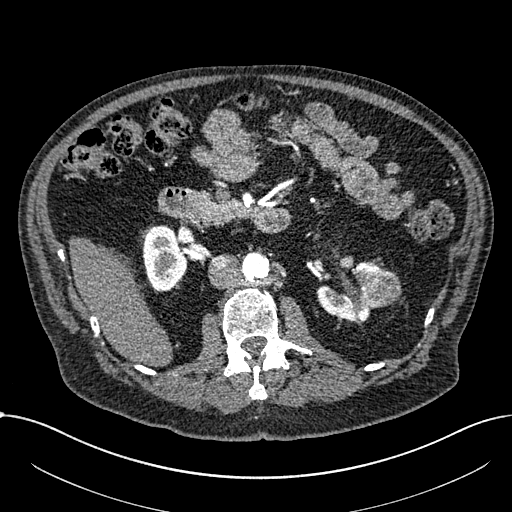
Axial slice 398 of 1059 of a contrast-enhanced abdominal CT in the arterial phase (slice 1 is the lowest), 100 kVp, kernel I30f; 1.00 mm slice thickness and 0.811 mm pixels.
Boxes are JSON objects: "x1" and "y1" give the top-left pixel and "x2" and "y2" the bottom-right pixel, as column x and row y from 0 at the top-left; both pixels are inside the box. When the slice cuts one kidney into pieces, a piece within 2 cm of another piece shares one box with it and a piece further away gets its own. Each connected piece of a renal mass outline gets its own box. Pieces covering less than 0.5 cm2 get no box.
Two kidney boxes and one renal mass box on this slice; by box centre, from the image's left to its right: (1) Right part of the midline-crossing kidney, box {"x1": 142, "y1": 225, "x2": 188, "y2": 291} (outlined area 2,333 px, about 15.3 cm2). (2) Left part of the midline-crossing kidney at {"x1": 317, "y1": 261, "x2": 386, "y2": 321} (outlined area 2,023 px, about 13.3 cm2). (3) Renal mass, box {"x1": 359, "y1": 270, "x2": 401, "y2": 308} (outlined area 1,210 px, about 7.9 cm2).